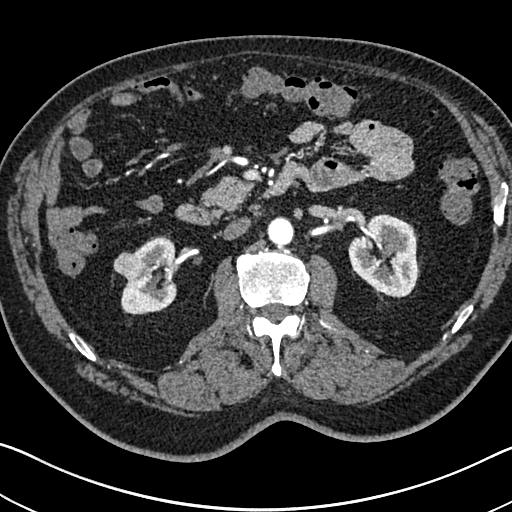
Arterial-phase contrast-enhanced abdominal CT, axial slice 413 of 705 (counted from the lowest slice); tube voltage 120 kVp, convolution kernel I30f; slices 1.00 mm thick, 0.703 mm per pixel.
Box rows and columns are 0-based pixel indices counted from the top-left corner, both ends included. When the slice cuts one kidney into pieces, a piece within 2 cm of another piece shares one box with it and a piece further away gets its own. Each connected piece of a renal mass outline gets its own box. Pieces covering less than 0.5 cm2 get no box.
Three boxes on this slice (two kidney boxes and one renal mass box), listed by box centre from the image's left to its right. (1) Right renal mass at rows 252–279, columns 113–144 (outlined area 639 px, about 3.2 cm2). (2) Right kidney, box rows 235–314, columns 121–176 (outlined area 3,011 px, about 14.9 cm2). (3) Box rows 214–297, columns 348–420: left kidney (outlined area 4,432 px, about 21.9 cm2).